Arterial-phase contrast-enhanced abdominal CT, axial slice 62 of 98 (counted from the lowest slice); tube voltage 120 kVp, convolution kernel B31f; slices 5.00 mm thick, 0.764 mm per pixel.
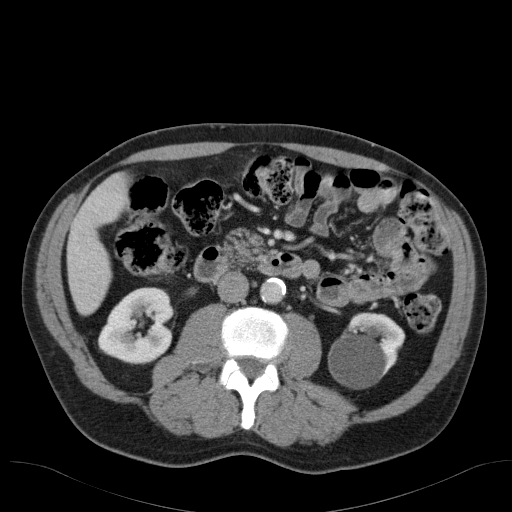
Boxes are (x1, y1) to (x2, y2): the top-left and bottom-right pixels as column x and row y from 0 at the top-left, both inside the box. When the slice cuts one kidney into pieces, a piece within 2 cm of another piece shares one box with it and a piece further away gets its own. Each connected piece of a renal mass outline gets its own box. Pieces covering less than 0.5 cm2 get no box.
Two boxes on this slice (two kidney boxes), listed by box centre from the image's left to its right. (1) Right kidney from (97, 287) to (175, 364) (outlined area 4,341 px, about 25.3 cm2). (2) Box (328, 312) to (405, 388): left kidney (outlined area 4,249 px, about 24.8 cm2). This slice carries no renal mass outline.